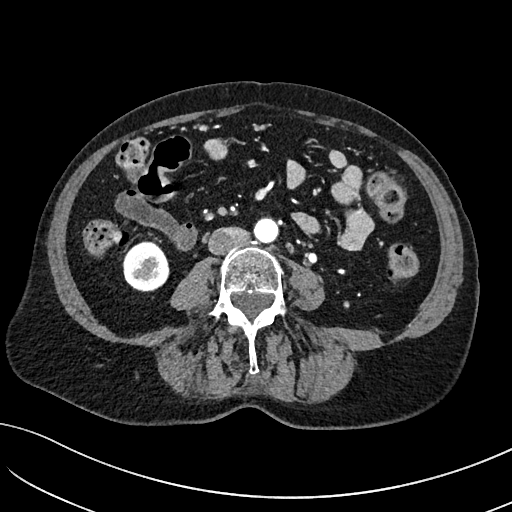
Abdominal CT with intravenous contrast, arterial phase, axial plane, 100 kVp, kernel I40f. Slice 14/234 from the bottom of the scan; thickness 2.00 mm; pixel size 0.699 mm.
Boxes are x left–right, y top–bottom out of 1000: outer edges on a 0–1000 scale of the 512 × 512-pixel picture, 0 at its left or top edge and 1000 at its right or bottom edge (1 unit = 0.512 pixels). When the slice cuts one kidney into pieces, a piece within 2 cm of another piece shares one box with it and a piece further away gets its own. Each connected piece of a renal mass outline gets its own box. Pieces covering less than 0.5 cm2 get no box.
Right kidney at x 238–332, y 469–570 out of 1000 (outlined area 1,901 px, about 9.3 cm2). No renal mass is outlined on this slice.